Arterial-phase contrast-enhanced abdominal CT, axial slice 51 of 325 (counted from the lowest slice); tube voltage 100 kVp, convolution kernel I30f; slices 1.00 mm thick, 0.703 mm per pixel.
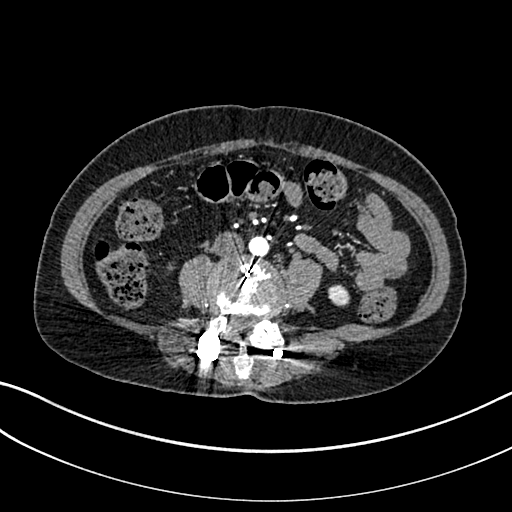
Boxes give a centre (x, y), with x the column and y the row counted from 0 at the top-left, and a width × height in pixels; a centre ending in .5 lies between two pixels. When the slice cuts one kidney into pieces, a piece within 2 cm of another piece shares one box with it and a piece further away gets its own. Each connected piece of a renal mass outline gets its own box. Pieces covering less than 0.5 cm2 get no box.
Left kidney, box centre (339, 295), 23 × 23 pixels (outlined area 392 px, about 1.9 cm2). This slice carries no renal mass outline.